Contrast-enhanced abdominal CT, axial slice 440 of 787 (counted from the lowest slice); tube voltage 140 kVp, convolution kernel I30f; slices 1.00 mm thick, 0.910 mm per pixel.
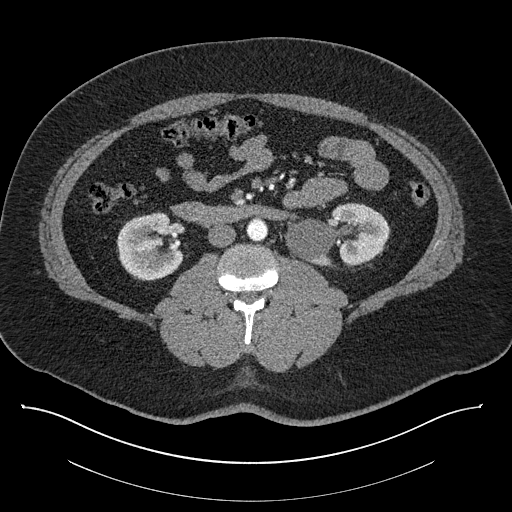
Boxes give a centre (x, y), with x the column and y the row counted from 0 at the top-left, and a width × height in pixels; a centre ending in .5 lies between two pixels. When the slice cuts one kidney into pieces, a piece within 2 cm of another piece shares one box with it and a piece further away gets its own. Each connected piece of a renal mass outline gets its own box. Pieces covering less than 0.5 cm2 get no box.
Two boxes on this slice (two kidney boxes), listed by box centre from the image's left to its right. (1) Right kidney, box centre (149.5, 245.5), 68 × 70 pixels (outlined area 3,507 px, about 29.1 cm2). (2) Box centre (337, 233.5), 105 × 64 pixels: left kidney (outlined area 4,576 px, about 37.9 cm2). No renal mass is outlined on this slice.